One axial slice (284 of 735, counting up from the lowest) of an arterial-phase abdominal CT acquired with 120 kVp, kernel I30f; each pixel is 0.789 mm and the slice is 1.00 mm thick.
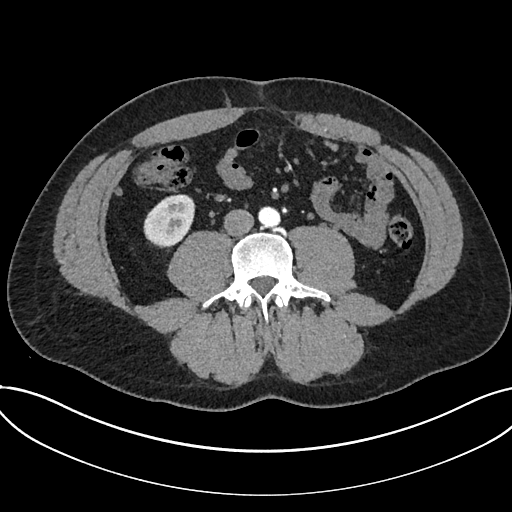
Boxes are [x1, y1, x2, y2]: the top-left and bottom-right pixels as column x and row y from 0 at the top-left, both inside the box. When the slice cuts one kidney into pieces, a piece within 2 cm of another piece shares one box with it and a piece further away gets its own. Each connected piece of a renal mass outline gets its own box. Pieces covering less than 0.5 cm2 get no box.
Box [143, 194, 195, 248]: kidney (outlined area 2,093 px, about 13.0 cm2). This slice carries no renal mass outline.